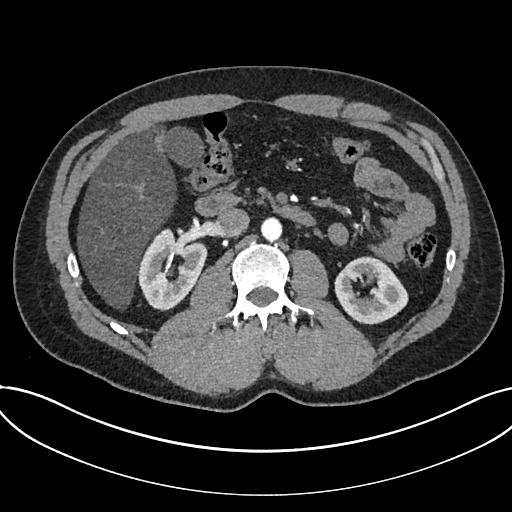
Axial slice 413 of 735 of a contrast-enhanced abdominal CT in the arterial phase (slice 1 is the lowest), 120 kVp, kernel I30f; 1.00 mm slice thickness and 0.789 mm pixels.
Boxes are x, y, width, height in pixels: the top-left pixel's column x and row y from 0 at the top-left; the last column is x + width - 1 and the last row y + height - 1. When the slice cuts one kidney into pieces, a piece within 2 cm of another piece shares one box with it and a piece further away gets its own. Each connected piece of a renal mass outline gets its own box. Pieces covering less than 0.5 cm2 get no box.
Two kidney boxes on this slice; by box centre, from the image's left to its right: (1) Box x 137, y 228, width 70, height 83: kidney (outlined area 3,919 px, about 24.4 cm2). (2) Kidney at x 334, y 256, width 75, height 69 (outlined area 3,522 px, about 21.9 cm2). No renal mass is outlined on this slice.